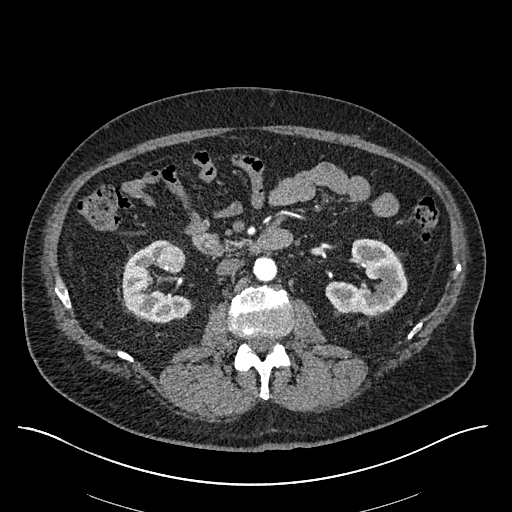
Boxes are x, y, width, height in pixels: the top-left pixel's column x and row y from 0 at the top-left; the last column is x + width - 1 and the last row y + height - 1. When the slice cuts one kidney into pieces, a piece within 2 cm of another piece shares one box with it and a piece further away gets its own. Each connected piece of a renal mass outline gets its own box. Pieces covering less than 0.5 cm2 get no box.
This is axial slice 315 of 670 (slice 1 is the lowest) of an arterial-phase abdominal CT with contrast; each pixel is 0.861 mm and the slice is 1.00 mm thick. Boxed on this slice (two kidney boxes and one renal mass box), listed by box centre from the image's left to its right: (1) Right kidney, box x 121, y 239, width 70, height 84 (outlined area 3,471 px, about 25.8 cm2). (2) Right renal mass, box x 155, y 243, width 31, height 30 (outlined area 672 px, about 5.0 cm2). (3) Left kidney, box x 324, y 238, width 84, height 78 (outlined area 3,993 px, about 29.6 cm2).
Scan settings: 120 kVp, I30f reconstruction kernel.